Arterial-phase contrast-enhanced abdominal CT, axial slice 132 of 199 (counted from the lowest slice); tube voltage 120 kVp, convolution kernel STANDARD; slices 2.50 mm thick, 0.789 mm per pixel.
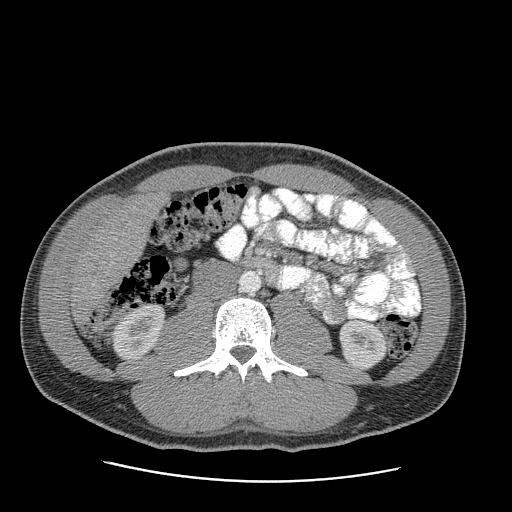
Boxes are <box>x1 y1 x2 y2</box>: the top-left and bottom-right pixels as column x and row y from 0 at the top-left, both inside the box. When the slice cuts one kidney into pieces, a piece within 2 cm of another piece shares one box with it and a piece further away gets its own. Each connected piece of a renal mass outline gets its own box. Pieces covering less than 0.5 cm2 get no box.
Two kidney boxes on this slice; by box centre, from the image's left to its right: (1) Right kidney at <box>110 303 164 360</box> (outlined area 2,144 px, about 13.3 cm2). (2) At <box>338 319 387 370</box>: left kidney (outlined area 1,943 px, about 12.1 cm2). No renal mass is outlined on this slice.